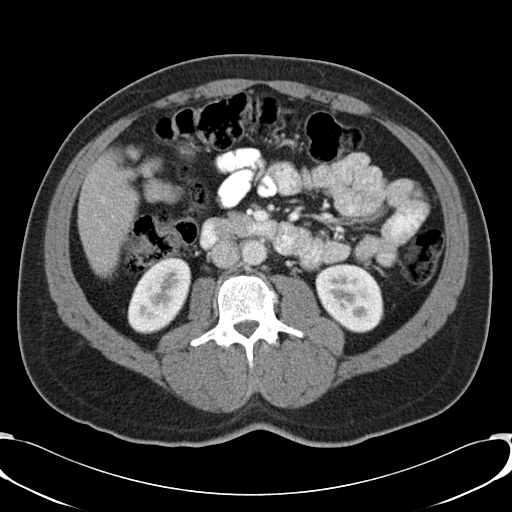
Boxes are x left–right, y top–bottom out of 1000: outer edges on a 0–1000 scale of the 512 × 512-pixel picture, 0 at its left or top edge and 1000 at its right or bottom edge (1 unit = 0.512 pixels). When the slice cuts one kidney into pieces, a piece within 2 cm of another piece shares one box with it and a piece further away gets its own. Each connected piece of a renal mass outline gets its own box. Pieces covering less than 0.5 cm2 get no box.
This is axial slice 15 of 48 (slice 1 is the lowest) of an abdominal CT with contrast; each pixel is 0.736 mm and the slice is 5.00 mm thick. Two kidney boxes on this slice; by box centre, from the image's left to its right: (1) Right kidney at x 248–375, y 500–652 out of 1000 (outlined area 3,537 px, about 19.2 cm2). (2) Left kidney at x 615–750, y 514–652 out of 1000 (outlined area 3,648 px, about 19.8 cm2). No renal mass is outlined on this slice.
Scan settings: 120 kVp, B30f reconstruction kernel.